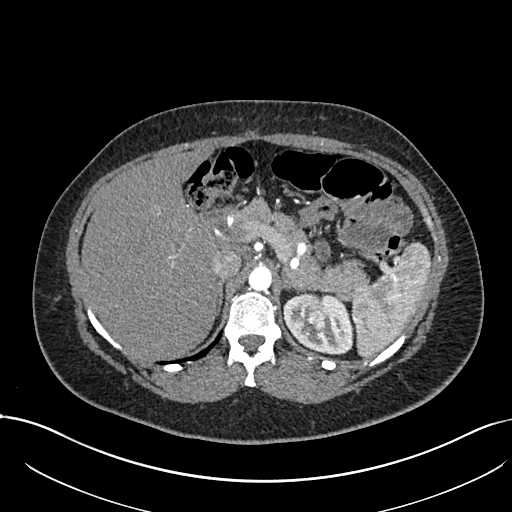
Abdominal CT with intravenous contrast, arterial phase, axial plane, 120 kVp, kernel I30f. Slice 529/738 from the bottom of the scan; thickness 1.00 mm; pixel size 0.789 mm.
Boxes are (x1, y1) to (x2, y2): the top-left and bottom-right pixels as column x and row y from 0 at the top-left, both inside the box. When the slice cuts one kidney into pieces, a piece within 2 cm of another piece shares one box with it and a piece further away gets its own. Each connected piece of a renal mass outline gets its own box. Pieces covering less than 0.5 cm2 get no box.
Boxed on this slice (one kidney box and one renal mass box), listed by box centre from the image's left to its right: (1) Left renal mass from (305, 297) to (326, 328) (outlined area 525 px, about 3.3 cm2). (2) Left kidney, box (283, 292) to (353, 354) (outlined area 2,946 px, about 18.3 cm2).